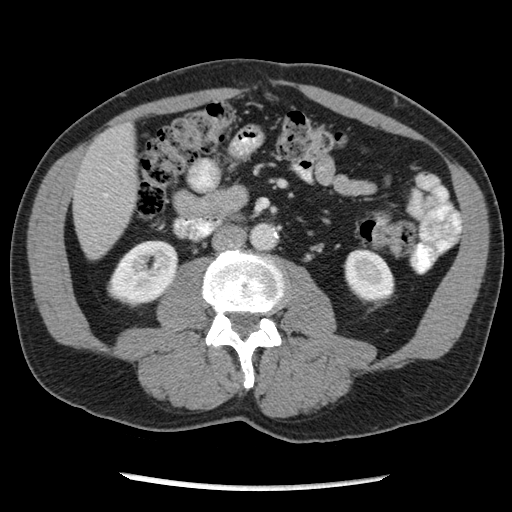
Arterial-phase contrast-enhanced abdominal CT, axial slice 105 of 262 (counted from the lowest slice); tube voltage 120 kVp, convolution kernel STANDARD; slices 2.50 mm thick, 0.703 mm per pixel.
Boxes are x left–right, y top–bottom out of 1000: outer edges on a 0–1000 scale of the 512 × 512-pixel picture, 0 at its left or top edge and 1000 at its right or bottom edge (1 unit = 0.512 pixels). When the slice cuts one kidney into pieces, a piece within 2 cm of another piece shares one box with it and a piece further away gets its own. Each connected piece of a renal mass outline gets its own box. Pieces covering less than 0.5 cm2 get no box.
Two boxes on this slice (two kidney boxes), listed by box centre from the image's left to its right. (1) Right kidney at x 209–350, y 469–602 out of 1000 (outlined area 3,456 px, about 17.1 cm2). (2) Box x 670–771, y 482–594 out of 1000: left kidney (outlined area 2,153 px, about 10.6 cm2). This slice carries no renal mass outline.